Abdominal CT with intravenous contrast, arterial phase, axial plane, 100 kVp, kernel I30f. Slice 55/304 from the bottom of the scan; thickness 2.00 mm; pixel size 0.809 mm.
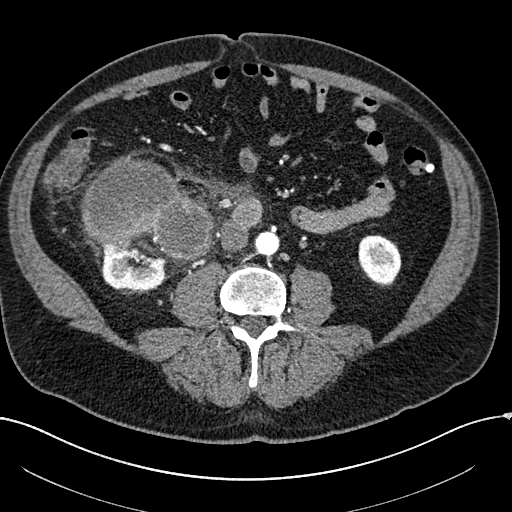
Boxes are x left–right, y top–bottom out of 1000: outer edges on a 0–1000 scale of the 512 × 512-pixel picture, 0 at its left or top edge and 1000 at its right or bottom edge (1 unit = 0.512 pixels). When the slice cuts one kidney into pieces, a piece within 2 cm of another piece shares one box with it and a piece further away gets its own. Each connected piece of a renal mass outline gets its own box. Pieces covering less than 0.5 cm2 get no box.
Boxed on this slice (two kidney boxes and one renal mass box), listed by box centre from the image's left to its right: (1) Right kidney at x 189–346, y 449–570 out of 1000 (outlined area 3,064 px, about 20.0 cm2). (2) Right renal mass at x 160–420, y 307–512 out of 1000 (outlined area 9,142 px, about 59.8 cm2). (3) Box x 699–785, y 459–561 out of 1000: left kidney (outlined area 1,759 px, about 11.5 cm2).